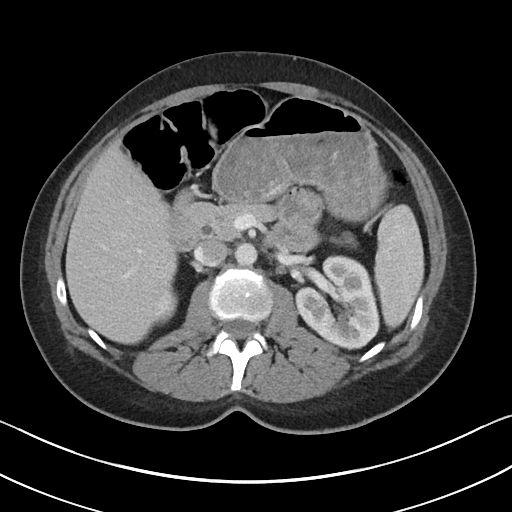
Axial slice 65 of 90 of a contrast-enhanced abdominal CT in the arterial phase (slice 1 is the lowest), 100 kVp, kernel I40f; 5.00 mm slice thickness and 0.703 mm pixels.
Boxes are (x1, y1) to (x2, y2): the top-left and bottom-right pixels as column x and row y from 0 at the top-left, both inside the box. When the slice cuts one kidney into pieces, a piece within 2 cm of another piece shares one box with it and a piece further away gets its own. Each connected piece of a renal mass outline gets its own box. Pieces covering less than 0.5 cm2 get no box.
Two boxes on this slice (two kidney boxes), listed by box centre from the image's left to its right. (1) Right kidney, box (151, 286) to (177, 325) (outlined area 778 px, about 3.8 cm2). (2) Left kidney from (294, 255) to (379, 350) (outlined area 5,787 px, about 28.6 cm2). No renal mass is outlined on this slice.